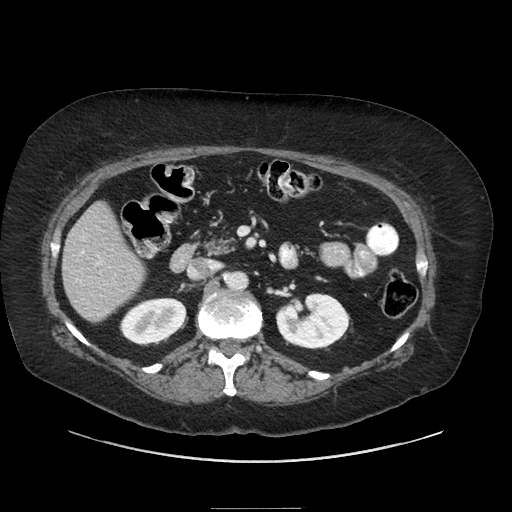
Axial slice 131 of 186 of a contrast-enhanced abdominal CT (slice 1 is the lowest), 120 kVp, kernel STANDARD; 2.50 mm slice thickness and 0.850 mm pixels.
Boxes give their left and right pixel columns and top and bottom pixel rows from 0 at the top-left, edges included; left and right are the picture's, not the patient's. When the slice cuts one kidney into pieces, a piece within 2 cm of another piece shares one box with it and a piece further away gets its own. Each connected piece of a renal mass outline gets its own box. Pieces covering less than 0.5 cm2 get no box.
Two boxes on this slice (two kidney boxes), listed by box centre from the image's left to its right. (1) Right kidney in the box with left 119, top 297, right 187, bottom 345 (outlined area 2,459 px, about 17.7 cm2). (2) Left kidney, the box with left 275, top 292, right 350, bottom 349 (outlined area 3,192 px, about 23.0 cm2). No renal mass outline on this slice.